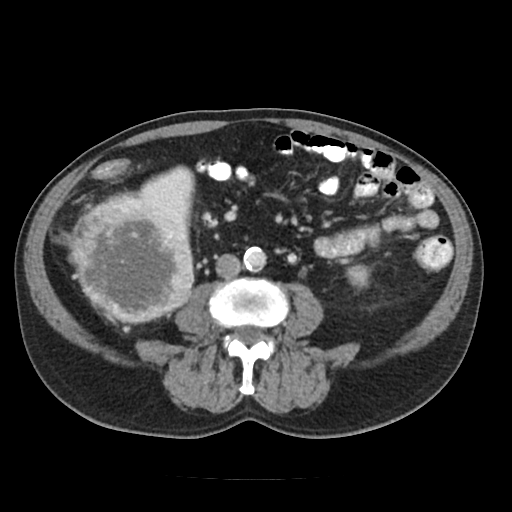
One axial slice (50 of 91, counting up from the lowest) of a contrast-enhanced abdominal CT acquired with 120 kVp, kernel FC18; each pixel is 0.766 mm and the slice is 5.00 mm thick.
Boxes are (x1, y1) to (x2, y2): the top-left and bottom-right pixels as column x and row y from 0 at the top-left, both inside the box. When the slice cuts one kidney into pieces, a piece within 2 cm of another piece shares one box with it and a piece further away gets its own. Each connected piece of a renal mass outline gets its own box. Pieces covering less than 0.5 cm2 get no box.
Three boxes on this slice (two kidney boxes and one renal mass box), listed by box centre from the image's left to its right. (1) Right renal mass, box (67, 192) to (194, 321) (outlined area 12,675 px, about 74.4 cm2). (2) Right kidney, box (136, 165) to (195, 233) (outlined area 1,794 px, about 10.5 cm2). (3) Left kidney, box (345, 265) to (371, 291) (outlined area 533 px, about 3.1 cm2).